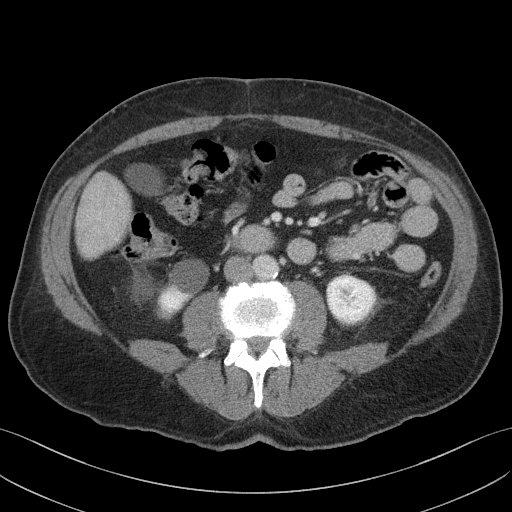
One axial slice (57 of 103, counting up from the lowest) of a contrast-enhanced abdominal CT acquired with 100 kVp, kernel I41f; each pixel is 0.742 mm and the slice is 4.00 mm thick.
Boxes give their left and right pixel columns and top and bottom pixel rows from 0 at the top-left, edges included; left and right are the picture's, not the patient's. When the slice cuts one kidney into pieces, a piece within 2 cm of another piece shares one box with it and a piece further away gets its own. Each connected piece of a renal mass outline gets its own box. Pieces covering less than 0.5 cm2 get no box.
Two boxes on this slice (two kidney boxes), listed by box centre from the image's left to its right. (1) Box with left 131, top 259, right 209, bottom 319: right kidney (outlined area 2,425 px, about 13.4 cm2). (2) Box with left 325, top 274, right 376, bottom 325: left kidney (outlined area 2,034 px, about 11.2 cm2). This slice carries no renal mass outline.